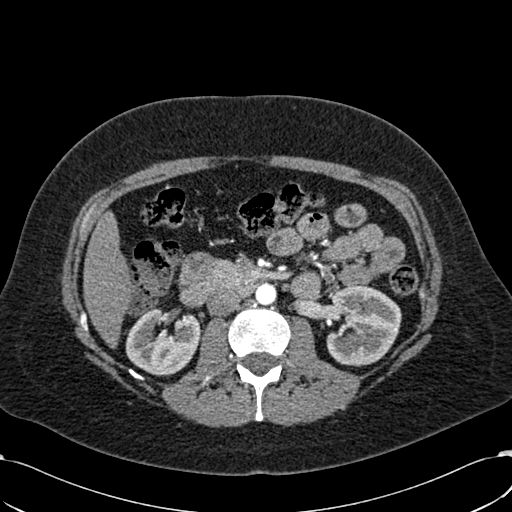
One axial slice (344 of 532, counting up from the lowest) of an arterial-phase abdominal CT acquired with 120 kVp, kernel B30f; each pixel is 0.713 mm and the slice is 1.00 mm thick.
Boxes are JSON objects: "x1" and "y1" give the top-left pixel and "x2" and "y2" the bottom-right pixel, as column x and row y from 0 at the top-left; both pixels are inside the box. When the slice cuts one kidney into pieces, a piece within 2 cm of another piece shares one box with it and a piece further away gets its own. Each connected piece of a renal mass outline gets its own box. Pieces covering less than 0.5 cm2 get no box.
Two boxes on this slice (two kidney boxes), listed by box centre from the image's left to its right. (1) Right kidney at {"x1": 125, "y1": 306, "x2": 200, "y2": 375} (outlined area 3,809 px, about 19.4 cm2). (2) Box {"x1": 326, "y1": 284, "x2": 401, "y2": 366}: left kidney (outlined area 4,864 px, about 24.7 cm2). No renal mass is outlined on this slice.